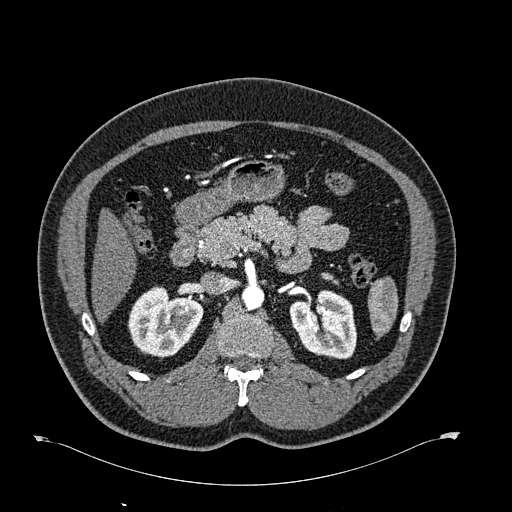
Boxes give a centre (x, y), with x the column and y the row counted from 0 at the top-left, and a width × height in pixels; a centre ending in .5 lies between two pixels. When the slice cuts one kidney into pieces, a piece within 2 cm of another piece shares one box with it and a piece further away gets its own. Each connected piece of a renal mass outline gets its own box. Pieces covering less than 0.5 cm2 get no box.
Slice 408/723 of a contrast-enhanced abdominal CT in the arterial phase, counting up from the lowest; pixel size 0.895 mm, slice thickness 1.00 mm. Two kidney boxes on this slice; by box centre, from the image's left to its right: (1) Box centre (165.5, 321.5), 76 × 72 pixels: right kidney (outlined area 3,830 px, about 30.6 cm2). (2) Left kidney in a box with centre (322.5, 324), 68 × 71 pixels (outlined area 3,554 px, about 28.4 cm2). No renal mass outline on this slice.
Scan settings: 120 kVp, B30f reconstruction kernel.